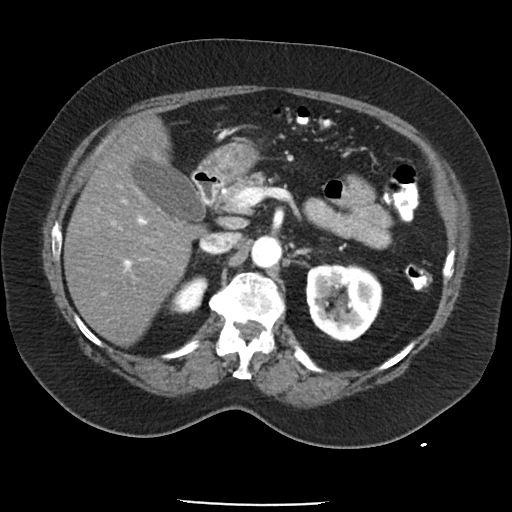
Axial slice 63 of 85 of a contrast-enhanced abdominal CT in the arterial phase (slice 1 is the lowest), 120 kVp, kernel FC19; 5.00 mm slice thickness and 0.741 mm pixels.
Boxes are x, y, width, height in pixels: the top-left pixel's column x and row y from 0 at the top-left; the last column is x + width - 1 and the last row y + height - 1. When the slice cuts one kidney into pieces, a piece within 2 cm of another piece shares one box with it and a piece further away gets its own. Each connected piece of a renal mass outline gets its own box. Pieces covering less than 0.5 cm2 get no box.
Two kidney boxes on this slice; by box centre, from the image's left to its right: (1) Right kidney at x 167, y 275, width 42, height 40 (outlined area 1,049 px, about 5.8 cm2). (2) Box x 305, y 263, width 78, height 79: left kidney (outlined area 4,850 px, about 26.6 cm2). No renal mass is outlined on this slice.